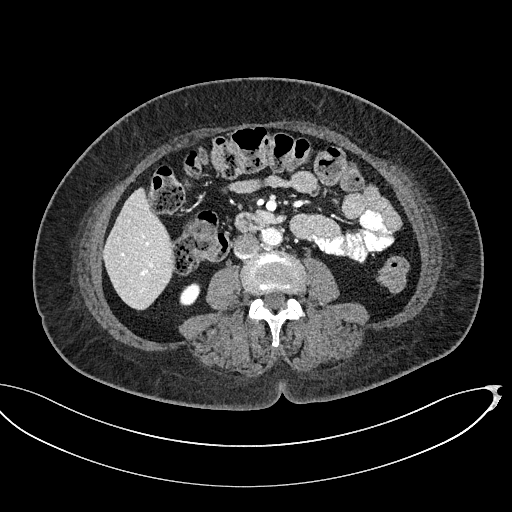
One axial slice (255 of 439, counting up from the lowest) of a contrast-enhanced abdominal CT acquired with 100 kVp, kernel I40f; each pixel is 0.850 mm and the slice is 2.00 mm thick.
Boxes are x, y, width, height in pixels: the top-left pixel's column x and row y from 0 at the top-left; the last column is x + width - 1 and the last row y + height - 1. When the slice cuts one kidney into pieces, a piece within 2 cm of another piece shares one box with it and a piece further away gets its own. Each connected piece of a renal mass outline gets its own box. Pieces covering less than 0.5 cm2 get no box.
Box x 179, y 282, width 22, height 25: right kidney (outlined area 380 px, about 2.7 cm2). No renal mass is outlined on this slice.